One axial slice (170 of 349, counting up from the lowest) of an arterial-phase abdominal CT acquired with 120 kVp, kernel STANDARD; each pixel is 0.742 mm and the slice is 1.25 mm thick.
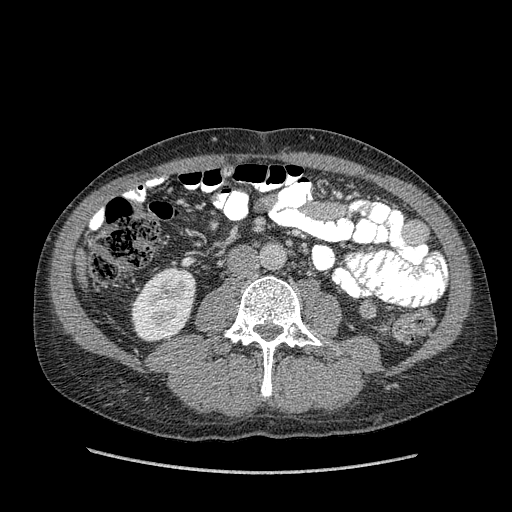
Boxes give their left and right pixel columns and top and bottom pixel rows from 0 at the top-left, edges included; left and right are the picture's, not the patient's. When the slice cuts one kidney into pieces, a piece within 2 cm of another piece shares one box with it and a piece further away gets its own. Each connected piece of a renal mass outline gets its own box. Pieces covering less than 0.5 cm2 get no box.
Boxed on this slice (one kidney box and one renal mass box), listed by box centre from the image's left to its right: (1) Box with left 131, top 267, right 196, bottom 342: right kidney (outlined area 3,743 px, about 20.6 cm2). (2) Left renal mass, the box with left 359, top 300, right 376, bottom 318 (outlined area 279 px, about 1.5 cm2); it sits over 1 cm from every kidney outline on this slice, but the same outlined renal mass comes within 1 cm of the kidney on another slice.